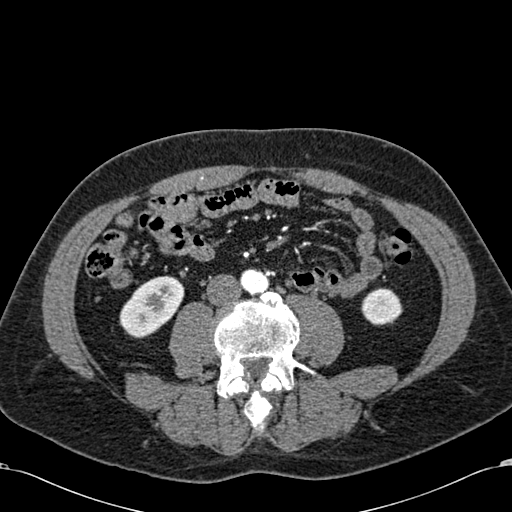
Arterial-phase contrast-enhanced abdominal CT, axial slice 221 of 581 (counted from the lowest slice); tube voltage 120 kVp, convolution kernel B30f; slices 1.00 mm thick, 0.713 mm per pixel.
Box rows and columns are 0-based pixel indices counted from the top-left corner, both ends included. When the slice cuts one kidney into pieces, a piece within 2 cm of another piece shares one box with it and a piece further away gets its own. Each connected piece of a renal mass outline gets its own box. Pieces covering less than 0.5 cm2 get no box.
Two kidney boxes on this slice; by box centre, from the image's left to its right: (1) Box rows 275–338, columns 119–184: right kidney (outlined area 2,761 px, about 14.0 cm2). (2) Left kidney, box rows 288–325, columns 361–402 (outlined area 1,215 px, about 6.2 cm2). No renal mass outline on this slice.